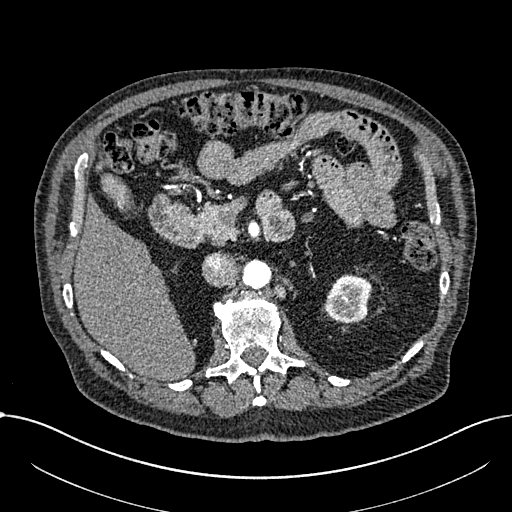
Axial slice 446 of 1059 of a contrast-enhanced abdominal CT in the arterial phase (slice 1 is the lowest), 100 kVp, kernel I30f; 1.00 mm slice thickness and 0.811 mm pixels.
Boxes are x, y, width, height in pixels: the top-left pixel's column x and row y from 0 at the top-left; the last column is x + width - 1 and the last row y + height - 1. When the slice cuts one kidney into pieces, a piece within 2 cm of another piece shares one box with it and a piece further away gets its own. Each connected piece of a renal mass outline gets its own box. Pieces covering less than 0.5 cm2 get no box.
Box x 323, y 275, width 50, height 49: left part of the midline-crossing kidney (outlined area 1,837 px, about 12.1 cm2). No renal mass is outlined on this slice.